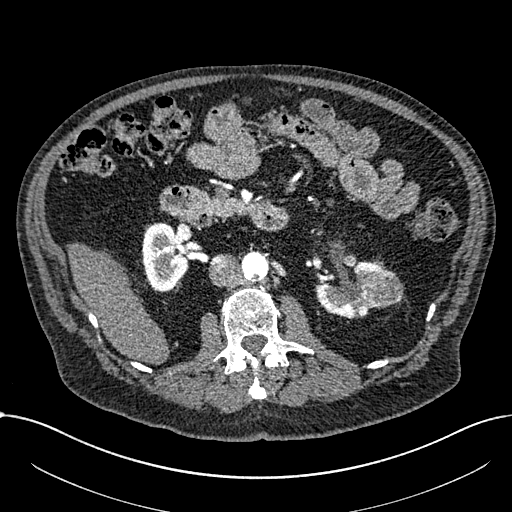
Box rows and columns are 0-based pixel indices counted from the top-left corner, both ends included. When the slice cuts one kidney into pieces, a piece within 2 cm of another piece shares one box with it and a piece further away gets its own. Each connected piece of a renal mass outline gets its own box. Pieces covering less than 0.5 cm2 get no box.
Slice 392/1059 of a contrast-enhanced abdominal CT in the arterial phase, counting up from the lowest; pixel size 0.811 mm, slice thickness 1.00 mm. Boxed on this slice (two kidney boxes and one renal mass box), listed by box centre from the image's left to its right: (1) Right part of the midline-crossing kidney, box rows 222–291, columns 141–189 (outlined area 2,474 px, about 16.3 cm2). (2) Left part of the midline-crossing kidney at rows 260–318, columns 316–385 (outlined area 2,144 px, about 14.1 cm2). (3) Renal mass at rows 268–307, columns 361–404 (outlined area 1,304 px, about 8.6 cm2).
Tube voltage 100 kVp; convolution kernel I30f.